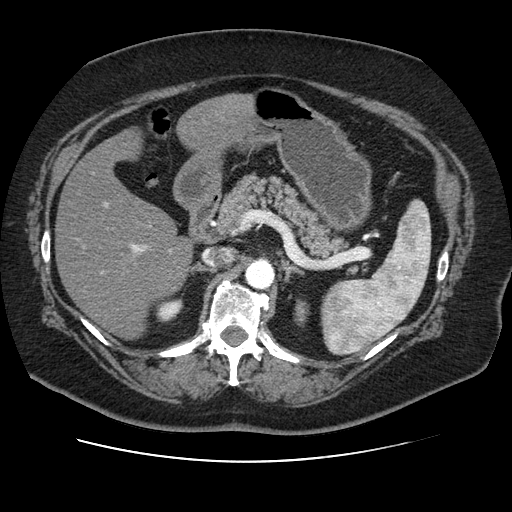
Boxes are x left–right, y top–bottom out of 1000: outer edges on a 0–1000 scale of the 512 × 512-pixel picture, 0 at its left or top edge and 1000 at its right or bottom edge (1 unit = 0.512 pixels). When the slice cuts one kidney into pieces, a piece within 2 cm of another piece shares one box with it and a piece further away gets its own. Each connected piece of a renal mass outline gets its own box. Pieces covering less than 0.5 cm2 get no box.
Slice 72/106 of a contrast-enhanced abdominal CT in the arterial phase, counting up from the lowest; pixel size 0.742 mm, slice thickness 2.50 mm. Two boxes on this slice (two kidney boxes), listed by box centre from the image's left to its right. (1) Right kidney, box x 303–359, y 582–631 out of 1000 (outlined area 519 px, about 2.9 cm2). (2) Box x 574–605, y 584–639 out of 1000: left kidney (outlined area 314 px, about 1.7 cm2). This slice carries no renal mass outline.
Tube voltage 120 kVp; convolution kernel STANDARD.